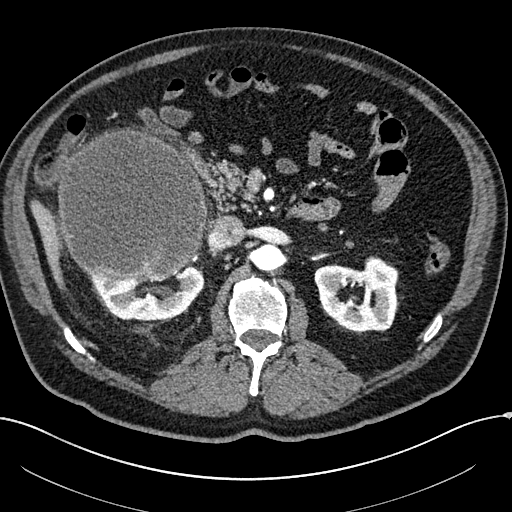
Arterial-phase contrast-enhanced abdominal CT, axial slice 129 of 304 (counted from the lowest slice); tube voltage 100 kVp, convolution kernel I30f; slices 2.00 mm thick, 0.809 mm per pixel.
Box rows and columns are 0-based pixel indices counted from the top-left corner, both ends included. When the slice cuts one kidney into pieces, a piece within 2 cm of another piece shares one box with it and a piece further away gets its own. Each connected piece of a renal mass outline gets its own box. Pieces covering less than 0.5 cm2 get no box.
Boxed on this slice (two kidney boxes and one renal mass box), listed by box centre from the image's left to its right: (1) Right renal mass, box rows 127–282, columns 57–208 (outlined area 18,754 px, about 122.6 cm2). (2) Right kidney, box rows 265–321, columns 89–204 (outlined area 3,775 px, about 24.7 cm2). (3) Box rows 255–334, columns 314–399: left kidney (outlined area 4,773 px, about 31.2 cm2).